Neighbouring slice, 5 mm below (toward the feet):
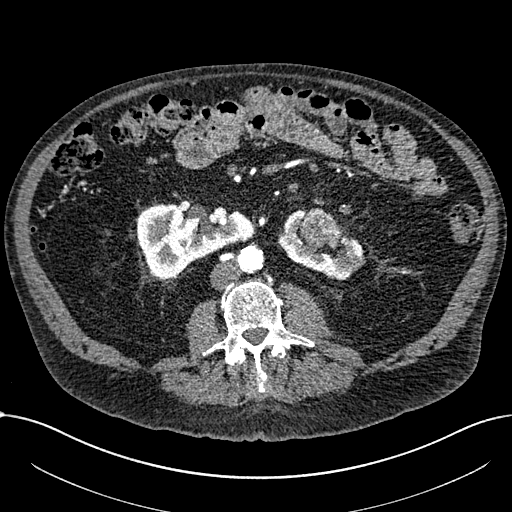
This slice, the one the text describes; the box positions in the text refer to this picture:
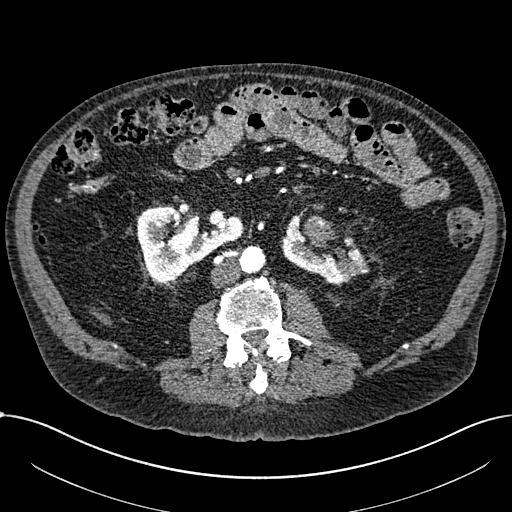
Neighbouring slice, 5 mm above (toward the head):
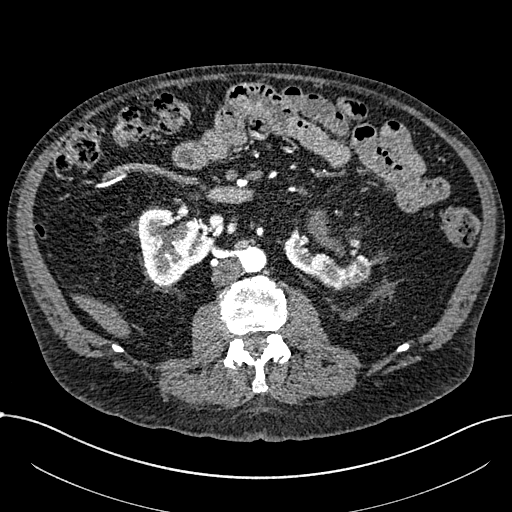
Abdominal CT with intravenous contrast, arterial phase, axial plane, 100 kVp, kernel I30f. Slice 337/1059 from the bottom of the scan; thickness 1.00 mm; pixel size 0.811 mm.
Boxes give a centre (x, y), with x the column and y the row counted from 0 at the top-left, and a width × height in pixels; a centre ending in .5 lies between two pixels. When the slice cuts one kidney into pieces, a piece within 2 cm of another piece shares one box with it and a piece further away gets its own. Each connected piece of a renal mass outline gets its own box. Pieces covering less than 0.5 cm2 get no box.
Three boxes on this slice (two kidney boxes and one renal mass box), listed by box centre from the image's left to its right. (1) Box centre (190, 243), 109 × 77 pixels: right part of the midline-crossing kidney (outlined area 5,332 px, about 35.0 cm2). (2) Renal mass in a box with centre (320, 232), 37 × 35 pixels (outlined area 847 px, about 5.6 cm2). (3) Left part of the midline-crossing kidney, box centre (324, 250), 87 × 71 pixels (outlined area 2,737 px, about 18.0 cm2). This slice is near the end of a renal mass toward the head, so the slices 5 mm below and 5 mm above it are shown as well; the boxes refer to this slice only.